Contrast-enhanced abdominal CT, axial slice 62 of 145 (counted from the lowest slice); tube voltage 120 kVp, convolution kernel B41f; slices 5.00 mm thick, 0.859 mm per pixel.
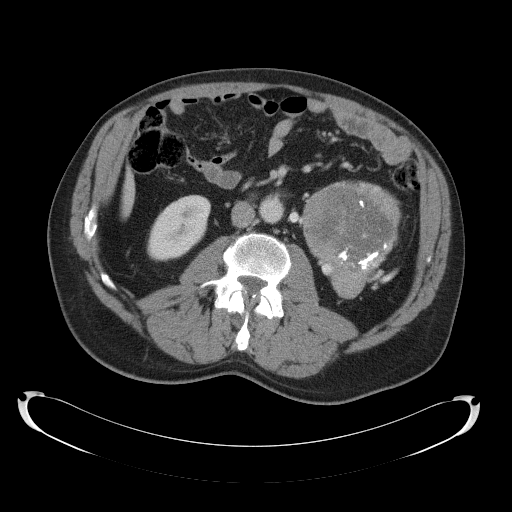
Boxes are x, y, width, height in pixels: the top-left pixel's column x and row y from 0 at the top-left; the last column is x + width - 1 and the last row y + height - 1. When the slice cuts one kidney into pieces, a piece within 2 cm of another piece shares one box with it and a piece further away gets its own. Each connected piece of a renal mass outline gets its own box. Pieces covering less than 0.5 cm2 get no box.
Two boxes on this slice (one kidney box and one renal mass box), listed by box centre from the image's left to its right. (1) Right kidney at x 147, y 194, width 64, height 68 (outlined area 3,021 px, about 22.3 cm2). (2) Left renal mass, box x 301, y 180, width 101, height 120 (outlined area 8,382 px, about 61.9 cm2); on this slice it lies more than 1 cm from any kidney outline, but the same outlined renal mass comes within 1 cm of the kidney on another slice.